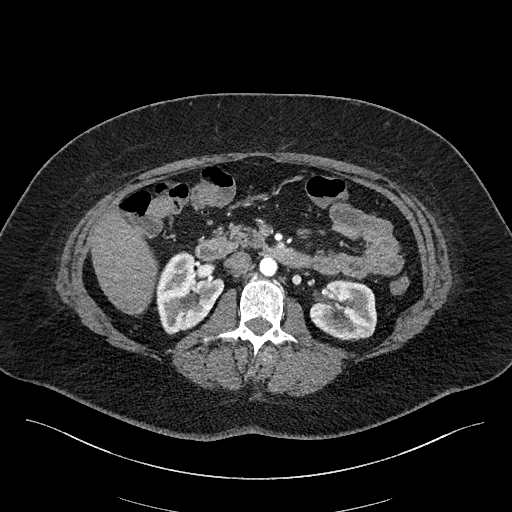
Axial slice 104 of 270 of a contrast-enhanced abdominal CT in the arterial phase (slice 1 is the lowest), 100 kVp, kernel I40f; 2.00 mm slice thickness and 0.855 mm pixels.
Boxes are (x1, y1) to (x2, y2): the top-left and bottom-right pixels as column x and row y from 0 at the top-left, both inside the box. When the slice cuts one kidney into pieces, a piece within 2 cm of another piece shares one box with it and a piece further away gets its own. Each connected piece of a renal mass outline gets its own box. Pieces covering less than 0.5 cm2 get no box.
Boxed on this slice (two kidney boxes), listed by box centre from the image's left to its right: (1) Right kidney, box (156, 251) to (224, 334) (outlined area 3,934 px, about 28.8 cm2). (2) Left kidney, box (310, 279) to (376, 340) (outlined area 3,270 px, about 23.9 cm2). No renal mass outline on this slice.